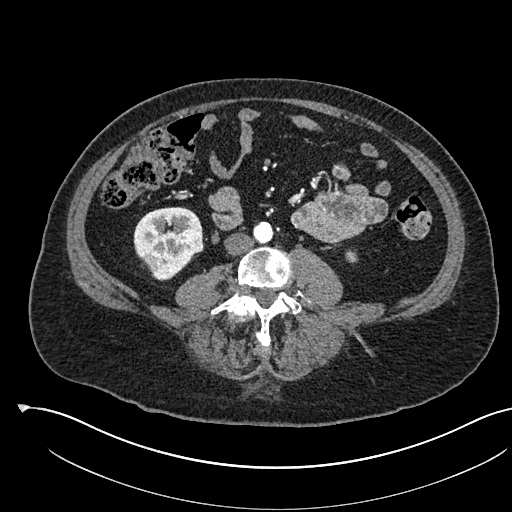
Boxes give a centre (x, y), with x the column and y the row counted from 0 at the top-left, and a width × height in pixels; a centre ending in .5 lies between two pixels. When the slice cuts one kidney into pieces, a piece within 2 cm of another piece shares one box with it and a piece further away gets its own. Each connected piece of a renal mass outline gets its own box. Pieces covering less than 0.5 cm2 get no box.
This is axial slice 217 of 541 (slice 1 is the lowest) of an arterial-phase abdominal CT with contrast; each pixel is 0.834 mm and the slice is 1.00 mm thick. Two kidney boxes and one renal mass box on this slice; by box centre, from the image's left to its right: (1) Box centre (167.5, 243.5), 70 × 74 pixels: right kidney (outlined area 3,371 px, about 23.4 cm2). (2) Right renal mass in a box with centre (190.5, 242.5), 26 × 28 pixels (outlined area 536 px, about 3.7 cm2). (3) Box centre (351, 256), 13 × 13 pixels: left kidney (outlined area 136 px, about 0.9 cm2).
Tube voltage 120 kVp; convolution kernel I30f.